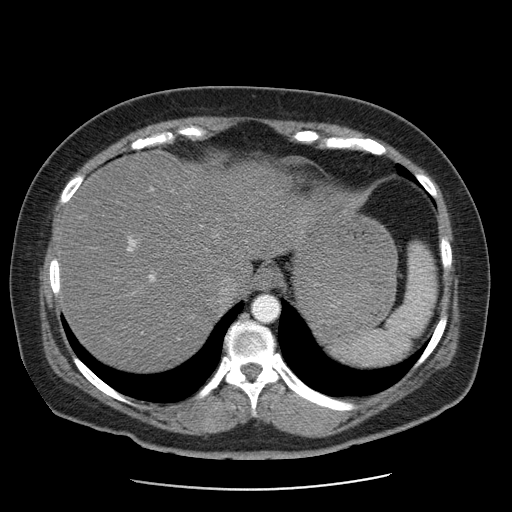
This is axial slice 92 of 103 (slice 1 is the lowest) of an abdominal CT with contrast; each pixel is 0.736 mm and the slice is 2.50 mm thick. No kidney and no renal mass is outlined on this slice; the outlines in this scan cover only the kidneys and the renal masses, so nothing is said about any other organ.
Acquired at 120 kVp and reconstructed with the STANDARD kernel.